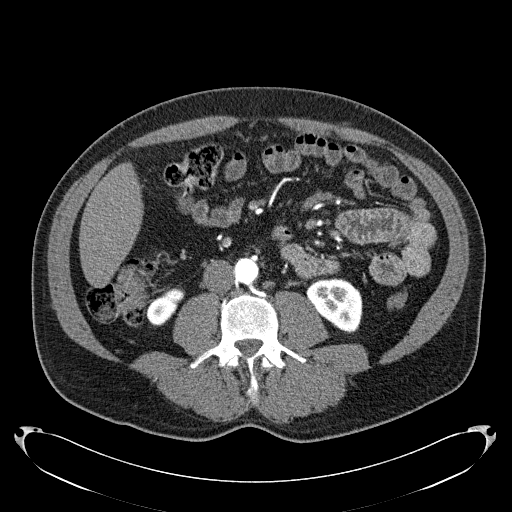
Arterial-phase contrast-enhanced abdominal CT, axial slice 75 of 279 (counted from the lowest slice); tube voltage 120 kVp, convolution kernel B31f; slices 2.00 mm thick, 0.824 mm per pixel.
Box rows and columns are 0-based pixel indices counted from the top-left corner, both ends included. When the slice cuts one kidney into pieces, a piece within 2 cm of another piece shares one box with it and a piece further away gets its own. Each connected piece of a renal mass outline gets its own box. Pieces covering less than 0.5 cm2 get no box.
Boxed on this slice (two kidney boxes), listed by box centre from the image's left to its right: (1) Box rows 288–324, columns 145–184: right kidney (outlined area 917 px, about 6.2 cm2). (2) Left kidney at rows 278–333, columns 306–362 (outlined area 2,246 px, about 15.3 cm2). No renal mass is outlined on this slice.